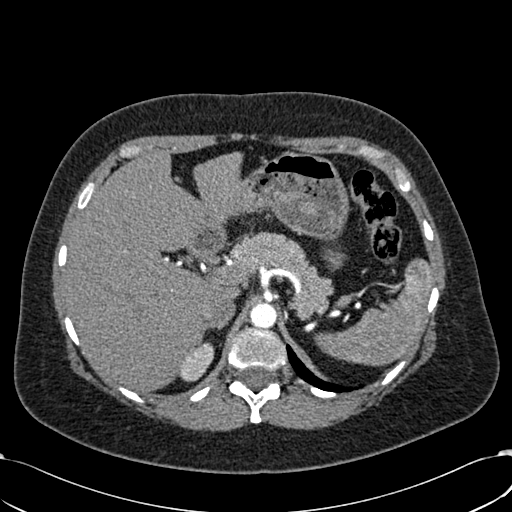
Arterial-phase contrast-enhanced abdominal CT, axial slice 457 of 532 (counted from the lowest slice); tube voltage 120 kVp, convolution kernel B30f; slices 1.00 mm thick, 0.713 mm per pixel.
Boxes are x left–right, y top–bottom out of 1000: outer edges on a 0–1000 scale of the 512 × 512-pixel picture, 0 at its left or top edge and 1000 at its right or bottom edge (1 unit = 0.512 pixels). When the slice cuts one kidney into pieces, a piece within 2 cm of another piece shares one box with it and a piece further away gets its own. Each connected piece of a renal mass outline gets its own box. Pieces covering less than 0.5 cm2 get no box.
Box x 348–420, y 668–746 out of 1000: right kidney (outlined area 945 px, about 4.8 cm2). This slice carries no renal mass outline.